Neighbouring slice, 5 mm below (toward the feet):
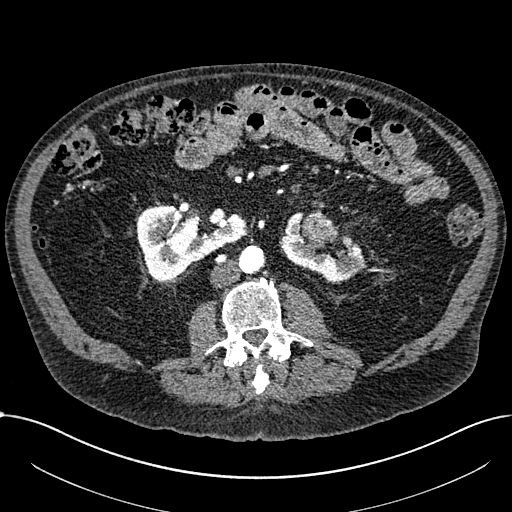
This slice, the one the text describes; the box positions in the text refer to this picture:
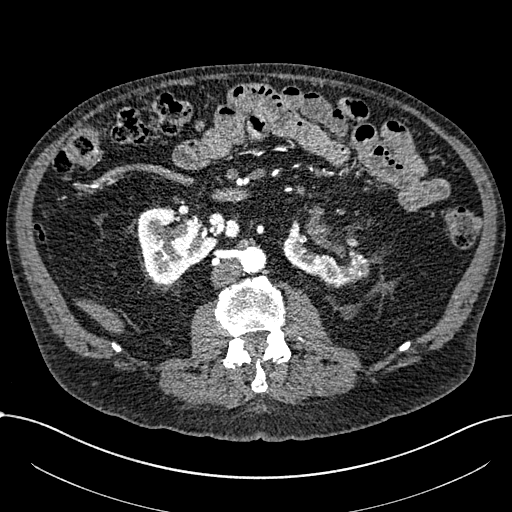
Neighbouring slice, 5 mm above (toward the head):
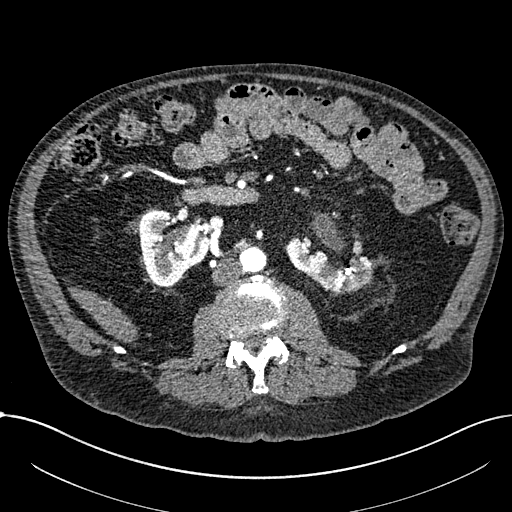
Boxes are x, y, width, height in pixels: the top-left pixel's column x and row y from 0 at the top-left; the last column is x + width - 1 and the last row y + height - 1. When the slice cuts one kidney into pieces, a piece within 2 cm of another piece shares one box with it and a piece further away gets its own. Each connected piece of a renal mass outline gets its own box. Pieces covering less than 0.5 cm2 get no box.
This is axial slice 343 of 1059 (slice 1 is the lowest) of an arterial-phase abdominal CT with contrast; each pixel is 0.811 mm and the slice is 1.00 mm thick. Two kidney boxes and one renal mass box on this slice; by box centre, from the image's left to its right: (1) Box x 137, y 205, width 89, height 80: right part of the midline-crossing kidney (outlined area 4,494 px, about 29.5 cm2). (2) Box x 319, y 228, width 12, height 10: renal mass (outlined area 78 px, about 0.5 cm2). (3) Left part of the midline-crossing kidney at x 282, y 221, width 88, height 67 (outlined area 3,041 px, about 20.0 cm2). This slice lies near the end of a renal mass toward the head; the slices 5 mm below and 5 mm above it are shown too, and the boxes mark positions on this slice only.
Tube voltage 100 kVp; convolution kernel I30f.